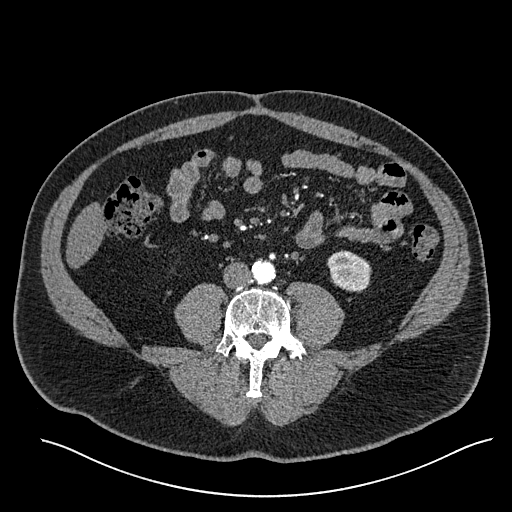
One axial slice (194 of 527, counting up from the lowest) of an arterial-phase abdominal CT acquired with 120 kVp, kernel I30f; each pixel is 0.859 mm and the slice is 1.00 mm thick.
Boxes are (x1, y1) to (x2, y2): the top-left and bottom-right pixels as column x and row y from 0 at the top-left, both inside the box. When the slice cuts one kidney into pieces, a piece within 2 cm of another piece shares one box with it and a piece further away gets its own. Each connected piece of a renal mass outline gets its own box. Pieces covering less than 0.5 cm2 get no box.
Box (327, 250) to (371, 292): left kidney (outlined area 1,442 px, about 10.6 cm2). No renal mass outline on this slice.